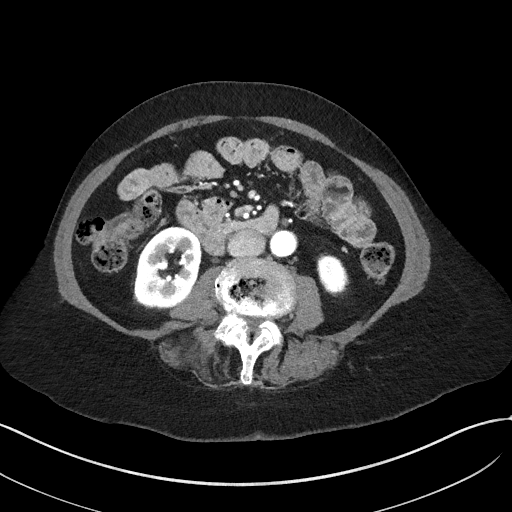
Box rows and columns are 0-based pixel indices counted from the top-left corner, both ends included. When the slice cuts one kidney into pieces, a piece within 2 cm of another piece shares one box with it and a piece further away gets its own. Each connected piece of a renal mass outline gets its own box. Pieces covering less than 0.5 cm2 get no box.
Arterial-phase contrast-enhanced abdominal CT, axial slice 13 of 50 (counted from the lowest slice); 3.00 mm thick, 0.758 mm per pixel. Two kidney boxes on this slice; by box centre, from the image's left to its right: (1) Right kidney, box rows 226–308, columns 133–201 (outlined area 4,191 px, about 24.1 cm2). (2) Box rows 254–294, columns 317–347: left kidney (outlined area 938 px, about 5.4 cm2). This slice carries no renal mass outline.
Scan settings: 100 kVp, I41f reconstruction kernel.